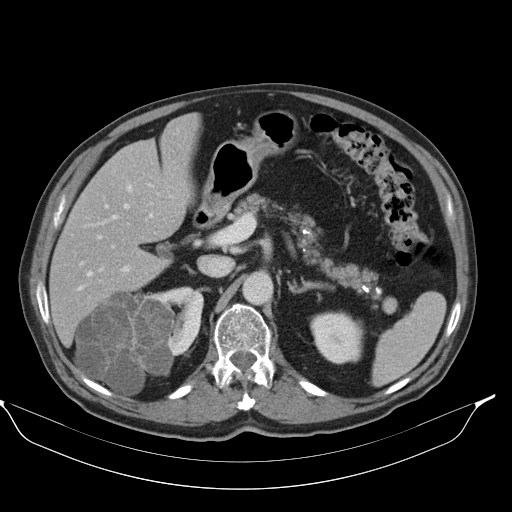
Axial slice 66 of 98 of a contrast-enhanced abdominal CT (slice 1 is the lowest), 130 kVp, kernel B30s; 5.00 mm slice thickness and 0.840 mm pixels.
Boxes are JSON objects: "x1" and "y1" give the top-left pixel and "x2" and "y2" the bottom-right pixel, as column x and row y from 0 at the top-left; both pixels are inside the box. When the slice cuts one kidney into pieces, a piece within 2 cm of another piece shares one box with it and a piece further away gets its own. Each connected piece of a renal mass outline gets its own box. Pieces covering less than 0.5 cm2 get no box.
Two kidney boxes and one renal mass box on this slice; by box centre, from the image's left to its right: (1) Right renal mass at {"x1": 74, "y1": 291, "x2": 175, "y2": 397} (outlined area 7,860 px, about 55.4 cm2). (2) Right kidney at {"x1": 144, "y1": 286, "x2": 203, "y2": 356} (outlined area 1,936 px, about 13.7 cm2). (3) Left kidney, box {"x1": 310, "y1": 313, "x2": 363, "y2": 364} (outlined area 2,181 px, about 15.4 cm2).